Axial slice 141 of 274 of a contrast-enhanced abdominal CT in the arterial phase (slice 1 is the lowest), 120 kVp, kernel B30f; 2.00 mm slice thickness and 0.809 mm pixels.
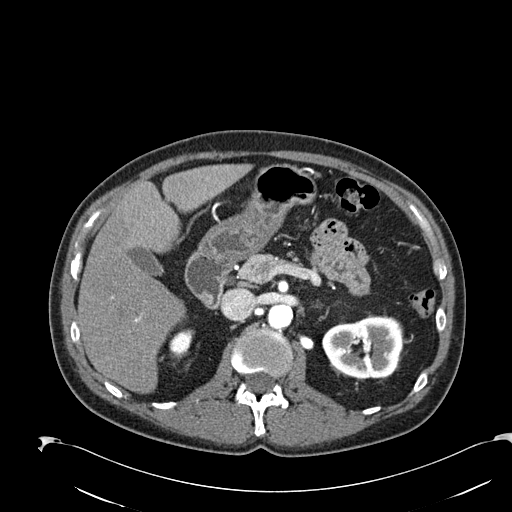
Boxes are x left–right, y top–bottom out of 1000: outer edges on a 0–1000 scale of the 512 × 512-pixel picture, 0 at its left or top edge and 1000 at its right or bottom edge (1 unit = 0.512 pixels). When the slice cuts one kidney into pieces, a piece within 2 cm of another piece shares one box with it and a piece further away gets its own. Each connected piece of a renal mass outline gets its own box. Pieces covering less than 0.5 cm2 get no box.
Boxed on this slice (two kidney boxes), listed by box centre from the image's left to its right: (1) Right kidney at x 330–381, y 641–697 out of 1000 (outlined area 509 px, about 3.3 cm2). (2) Left kidney at x 629–789, y 615–740 out of 1000 (outlined area 4,073 px, about 26.6 cm2). No renal mass is outlined on this slice.